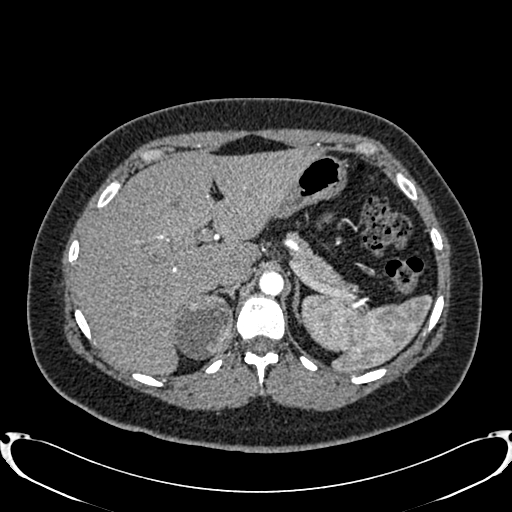
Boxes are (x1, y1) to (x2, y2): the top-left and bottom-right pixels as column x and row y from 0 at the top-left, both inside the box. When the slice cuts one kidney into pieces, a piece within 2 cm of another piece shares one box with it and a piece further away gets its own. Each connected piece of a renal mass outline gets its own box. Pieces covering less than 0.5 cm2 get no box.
This is axial slice 606 of 719 (slice 1 is the lowest) of an arterial-phase abdominal CT with contrast; each pixel is 0.766 mm and the slice is 1.00 mm thick. Right renal mass from (171, 293) to (232, 359) (outlined area 3,189 px, about 18.7 cm2); no kidney is outlined on this slice, but the same outlined renal mass comes within 1 cm of the kidney on another slice.
Acquired at 120 kVp and reconstructed with the B20f kernel.